Axial slice 426 of 673 of a contrast-enhanced abdominal CT in the arterial phase (slice 1 is the lowest), 140 kVp, kernel I30f; 1.00 mm slice thickness and 0.957 mm pixels.
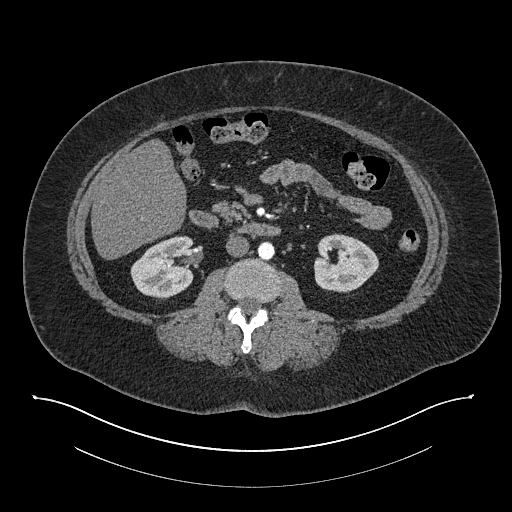
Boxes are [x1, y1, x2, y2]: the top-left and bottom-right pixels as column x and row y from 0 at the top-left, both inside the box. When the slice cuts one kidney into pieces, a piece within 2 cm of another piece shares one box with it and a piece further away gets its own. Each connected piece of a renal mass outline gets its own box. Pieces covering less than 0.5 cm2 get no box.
Two boxes on this slice (two kidney boxes), listed by box centre from the image's left to its right. (1) Right kidney at [130, 236, 194, 299] (outlined area 3,072 px, about 28.1 cm2). (2) Left kidney at [313, 233, 378, 292] (outlined area 2,901 px, about 26.6 cm2). No renal mass is outlined on this slice.